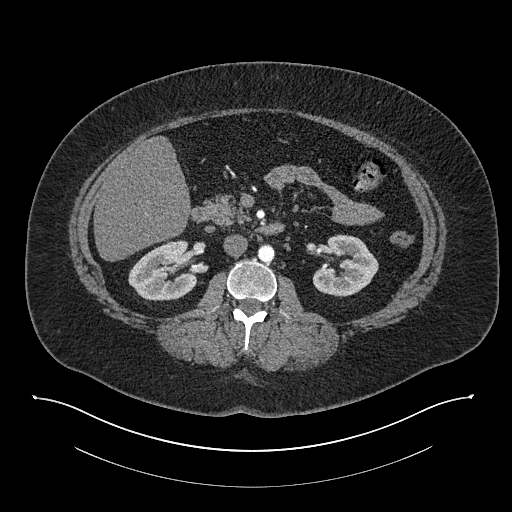
One axial slice (448 of 673, counting up from the lowest) of an arterial-phase abdominal CT acquired with 140 kVp, kernel I30f; each pixel is 0.957 mm and the slice is 1.00 mm thick.
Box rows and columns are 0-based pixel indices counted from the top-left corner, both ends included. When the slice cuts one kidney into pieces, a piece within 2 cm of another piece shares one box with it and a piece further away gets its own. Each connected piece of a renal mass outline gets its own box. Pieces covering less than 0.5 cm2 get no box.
Two kidney boxes on this slice; by box centre, from the image's left to its right: (1) Right kidney, box rows 240–300, columns 128–197 (outlined area 3,072 px, about 28.1 cm2). (2) Left kidney, box rows 234–297, columns 312–378 (outlined area 2,892 px, about 26.5 cm2). This slice carries no renal mass outline.